Arterial-phase contrast-enhanced abdominal CT, axial slice 405 of 670 (counted from the lowest slice); tube voltage 120 kVp, convolution kernel I30f; slices 1.00 mm thick, 0.861 mm per pixel.
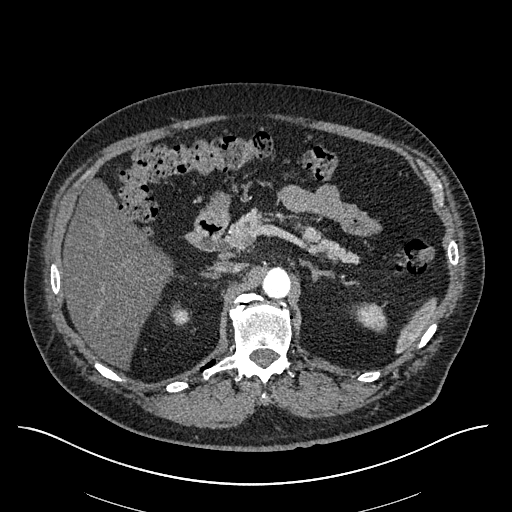
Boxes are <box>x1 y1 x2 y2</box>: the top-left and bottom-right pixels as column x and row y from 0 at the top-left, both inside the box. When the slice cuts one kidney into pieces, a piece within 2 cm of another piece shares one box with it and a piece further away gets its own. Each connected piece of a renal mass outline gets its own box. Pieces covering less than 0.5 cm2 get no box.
Right kidney: <box>170 305 186 323</box> (outlined area 240 px, about 1.8 cm2). No renal mass outline on this slice.